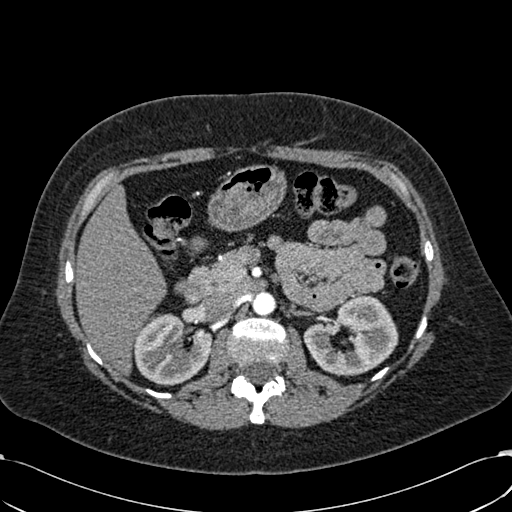
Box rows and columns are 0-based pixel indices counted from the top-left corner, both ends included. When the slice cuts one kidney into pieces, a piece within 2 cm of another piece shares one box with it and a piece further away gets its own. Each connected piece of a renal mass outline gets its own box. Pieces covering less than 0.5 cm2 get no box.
Arterial-phase contrast-enhanced abdominal CT, axial slice 388 of 532 (counted from the lowest slice); 1.00 mm thick, 0.713 mm per pixel. Two kidney boxes on this slice; by box centre, from the image's left to its right: (1) Box rows 313–385, columns 133–212: right kidney (outlined area 4,173 px, about 21.2 cm2). (2) Left kidney, box rows 294–376, columns 303–398 (outlined area 5,117 px, about 26.0 cm2). No renal mass is outlined on this slice.
Scan settings: 120 kVp, B30f reconstruction kernel.